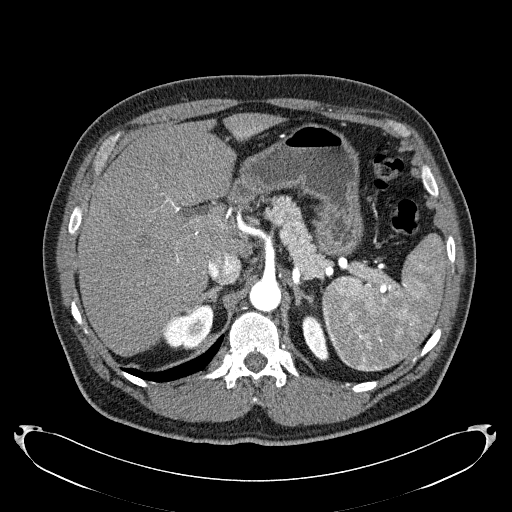
Arterial-phase contrast-enhanced abdominal CT, axial slice 170 of 279 (counted from the lowest slice); tube voltage 120 kVp, convolution kernel B31f; slices 2.00 mm thick, 0.824 mm per pixel.
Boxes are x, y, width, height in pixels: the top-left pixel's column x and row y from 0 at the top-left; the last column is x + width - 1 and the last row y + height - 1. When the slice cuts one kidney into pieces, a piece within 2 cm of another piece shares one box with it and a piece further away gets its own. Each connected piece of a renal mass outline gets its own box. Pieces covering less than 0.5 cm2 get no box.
Two kidney boxes on this slice; by box centre, from the image's left to its right: (1) Right kidney, box x 159, y 302, width 57, height 48 (outlined area 1,655 px, about 11.2 cm2). (2) Box x 302, y 315, width 27, height 47: left kidney (outlined area 842 px, about 5.7 cm2). No renal mass outline on this slice.